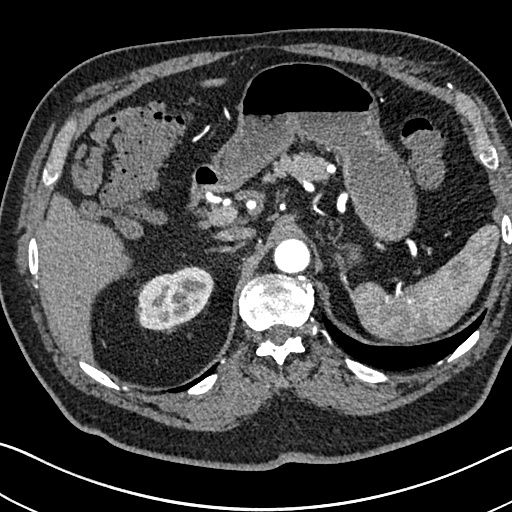
Arterial-phase contrast-enhanced abdominal CT, axial slice 534 of 705 (counted from the lowest slice); tube voltage 120 kVp, convolution kernel I30f; slices 1.00 mm thick, 0.703 mm per pixel.
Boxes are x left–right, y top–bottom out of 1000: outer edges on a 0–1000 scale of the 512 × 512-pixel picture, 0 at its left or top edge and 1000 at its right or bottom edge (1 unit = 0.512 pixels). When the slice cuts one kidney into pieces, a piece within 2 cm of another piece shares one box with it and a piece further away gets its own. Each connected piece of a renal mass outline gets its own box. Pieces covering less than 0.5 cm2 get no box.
Right kidney, box x 270–418, y 521–646 out of 1000 (outlined area 3,596 px, about 17.8 cm2). No renal mass is outlined on this slice.